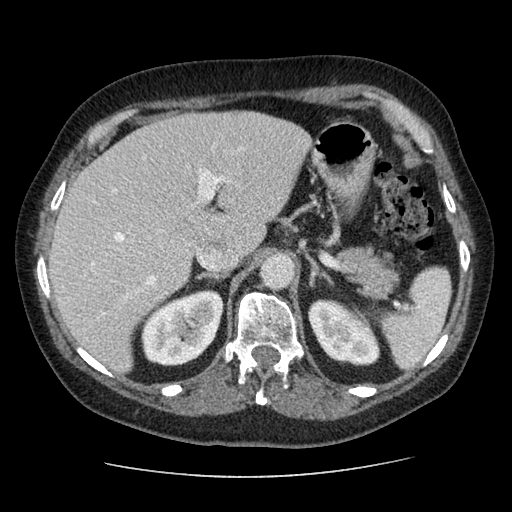
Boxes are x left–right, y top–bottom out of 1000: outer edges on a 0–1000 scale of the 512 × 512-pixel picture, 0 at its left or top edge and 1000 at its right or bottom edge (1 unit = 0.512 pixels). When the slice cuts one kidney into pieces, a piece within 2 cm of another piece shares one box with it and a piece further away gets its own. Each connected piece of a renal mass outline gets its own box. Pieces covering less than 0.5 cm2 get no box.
This is axial slice 70 of 96 (slice 1 is the lowest) of an arterial-phase abdominal CT with contrast; each pixel is 0.689 mm and the slice is 2.50 mm thick. Boxed on this slice (two kidney boxes), listed by box centre from the image's left to its right: (1) Box x 275–436, y 564–717 out of 1000: right kidney (outlined area 4,666 px, about 22.2 cm2). (2) Left kidney at x 602–744, y 584–717 out of 1000 (outlined area 3,333 px, about 15.8 cm2). No renal mass is outlined on this slice.
Scan settings: 120 kVp, STANDARD reconstruction kernel.